Axial slice 72 of 104 of a contrast-enhanced abdominal CT (slice 1 is the lowest), 120 kVp, kernel B41f; 5.00 mm slice thickness and 0.977 mm pixels.
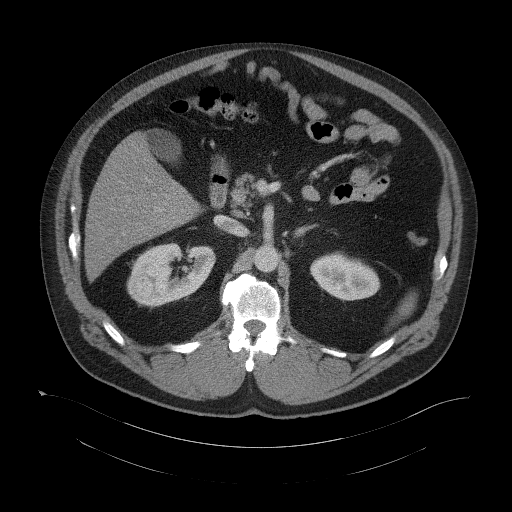
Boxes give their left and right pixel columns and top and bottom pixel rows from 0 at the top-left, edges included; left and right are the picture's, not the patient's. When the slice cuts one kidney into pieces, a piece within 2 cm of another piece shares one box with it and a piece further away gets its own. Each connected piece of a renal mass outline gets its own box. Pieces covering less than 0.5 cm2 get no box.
Two kidney boxes and one renal mass box on this slice; by box centre, from the image's left to its right: (1) Right renal mass in the box with left 131, top 273, right 153, bottom 298 (outlined area 469 px, about 4.5 cm2). (2) Right kidney, the box with left 127, top 242, right 215, bottom 306 (outlined area 3,598 px, about 34.3 cm2). (3) Left kidney, the box with left 310, top 251, right 380, bottom 300 (outlined area 2,485 px, about 23.7 cm2).